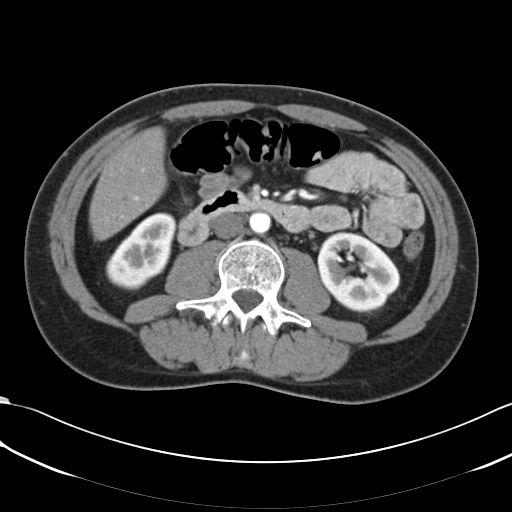
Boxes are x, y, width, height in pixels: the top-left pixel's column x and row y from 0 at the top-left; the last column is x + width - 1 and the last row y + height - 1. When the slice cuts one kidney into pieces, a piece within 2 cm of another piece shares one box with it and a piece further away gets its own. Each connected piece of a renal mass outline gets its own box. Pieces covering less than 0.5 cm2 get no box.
Slice 32/66 of a contrast-enhanced abdominal CT in the arterial phase, counting up from the lowest; pixel size 0.678 mm, slice thickness 5.00 mm. Two boxes on this slice (two kidney boxes), listed by box centre from the image's left to its right. (1) Right kidney at x 105, y 212, width 72, height 79 (outlined area 3,493 px, about 16.0 cm2). (2) Left kidney at x 318, y 234, width 83, height 81 (outlined area 4,674 px, about 21.5 cm2). No renal mass outline on this slice.
Tube voltage 120 kVp; convolution kernel B30f.